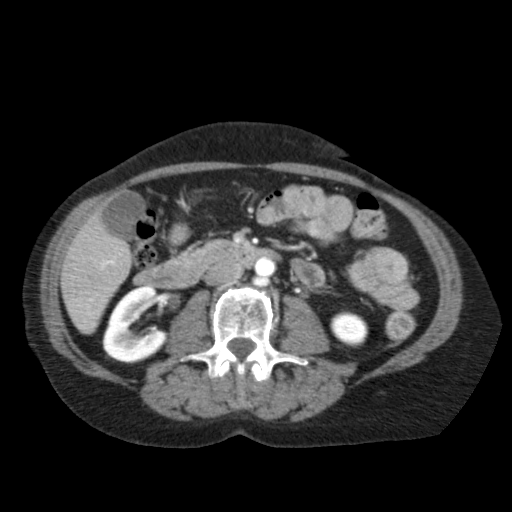
One axial slice (53 of 79, counting up from the lowest) of an arterial-phase abdominal CT acquired with 120 kVp, kernel FC11; each pixel is 0.686 mm and the slice is 5.00 mm thick.
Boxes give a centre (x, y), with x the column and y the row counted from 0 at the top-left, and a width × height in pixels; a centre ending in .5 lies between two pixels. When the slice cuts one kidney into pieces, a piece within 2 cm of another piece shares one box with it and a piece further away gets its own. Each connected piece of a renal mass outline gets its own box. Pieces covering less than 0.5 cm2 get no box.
Two kidney boxes on this slice; by box centre, from the image's left to its right: (1) Box centre (134.5, 324.5), 66 × 78 pixels: right kidney (outlined area 3,425 px, about 16.1 cm2). (2) Left kidney, box centre (349, 329), 39 × 37 pixels (outlined area 1,050 px, about 4.9 cm2). This slice carries no renal mass outline.